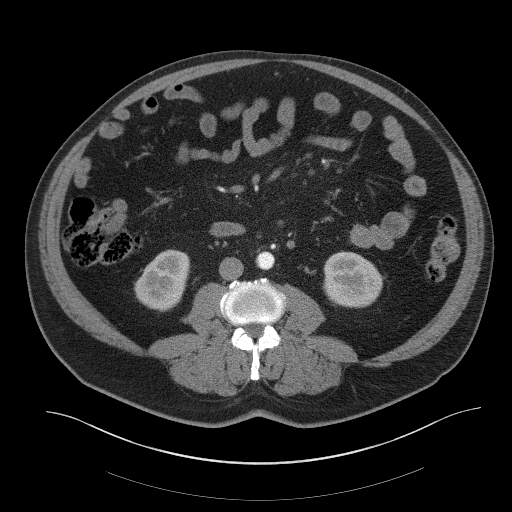
One axial slice (12 of 61, counting up from the lowest) of a contrast-enhanced abdominal CT acquired with 140 kVp, kernel B41f; each pixel is 0.939 mm and the slice is 3.00 mm thick.
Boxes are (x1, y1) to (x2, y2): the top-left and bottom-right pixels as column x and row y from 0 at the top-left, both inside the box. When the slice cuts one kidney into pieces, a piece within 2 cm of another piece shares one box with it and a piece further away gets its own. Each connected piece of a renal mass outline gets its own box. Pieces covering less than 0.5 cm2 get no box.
Two boxes on this slice (two kidney boxes), listed by box centre from the image's left to its right. (1) Right kidney from (134, 249) to (190, 310) (outlined area 2,521 px, about 22.2 cm2). (2) Box (323, 251) to (382, 307): left kidney (outlined area 2,683 px, about 23.7 cm2). This slice carries no renal mass outline.